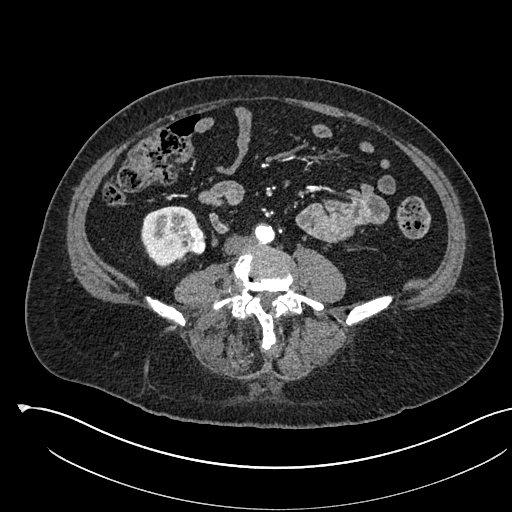
Axial slice 203 of 541 of a contrast-enhanced abdominal CT in the arterial phase (slice 1 is the lowest), 120 kVp, kernel I30f; 1.00 mm slice thickness and 0.834 mm pixels.
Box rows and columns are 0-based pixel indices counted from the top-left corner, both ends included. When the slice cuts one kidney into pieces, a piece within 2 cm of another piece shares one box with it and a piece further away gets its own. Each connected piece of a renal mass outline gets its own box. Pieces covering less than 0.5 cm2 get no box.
Two boxes on this slice (one kidney box and one renal mass box), listed by box centre from the image's left to its right. (1) Right kidney, box rows 206–267, columns 141–200 (outlined area 2,460 px, about 17.1 cm2). (2) Box rows 228–254, columns 181–205: right renal mass (outlined area 551 px, about 3.8 cm2).